Arterial-phase contrast-enhanced abdominal CT, axial slice 157 of 1059 (counted from the lowest slice); tube voltage 100 kVp, convolution kernel I30f; slices 1.00 mm thick, 0.811 mm per pixel.
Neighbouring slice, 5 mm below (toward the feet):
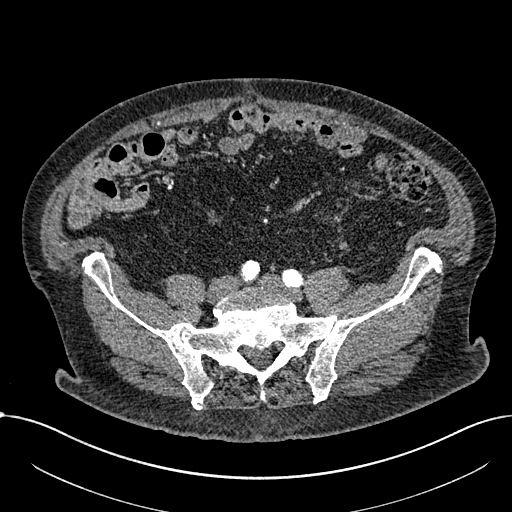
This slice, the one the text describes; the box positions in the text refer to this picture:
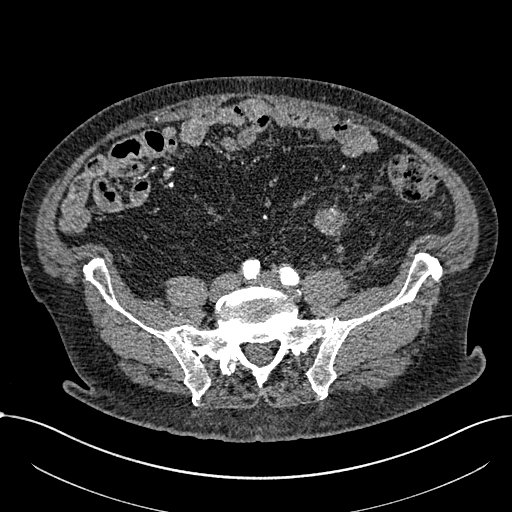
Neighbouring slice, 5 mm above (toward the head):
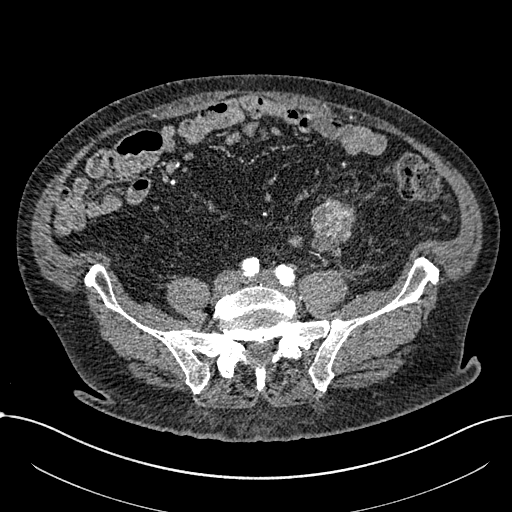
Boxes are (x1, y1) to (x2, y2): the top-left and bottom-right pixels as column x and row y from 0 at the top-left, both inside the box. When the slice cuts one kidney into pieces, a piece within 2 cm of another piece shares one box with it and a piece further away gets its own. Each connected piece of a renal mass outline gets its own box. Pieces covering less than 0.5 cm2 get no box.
Renal mass from (313, 207) to (345, 239) (outlined area 736 px, about 4.8 cm2); this slice has no kidney outline, though on another slice the same outlined renal mass lies within 1 cm of the kidney. This slice is near the end of a renal mass toward the feet, so the slices 5 mm below and 5 mm above it are shown as well; the boxes refer to this slice only.